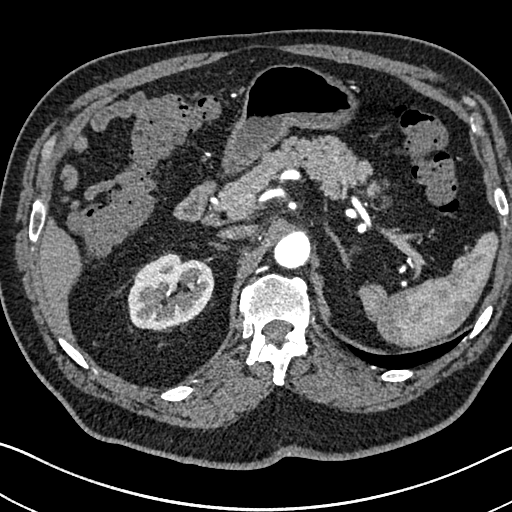
Axial slice 509 of 705 of a contrast-enhanced abdominal CT in the arterial phase (slice 1 is the lowest), 120 kVp, kernel I30f; 1.00 mm slice thickness and 0.703 mm pixels.
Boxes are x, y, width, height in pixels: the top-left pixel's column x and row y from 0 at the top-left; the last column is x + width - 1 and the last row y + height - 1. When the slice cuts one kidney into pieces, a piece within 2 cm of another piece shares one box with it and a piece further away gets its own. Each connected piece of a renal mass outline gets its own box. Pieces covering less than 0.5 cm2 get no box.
Box x 127, y 251, width 88, height 81: right kidney (outlined area 5,096 px, about 25.2 cm2). This slice carries no renal mass outline.